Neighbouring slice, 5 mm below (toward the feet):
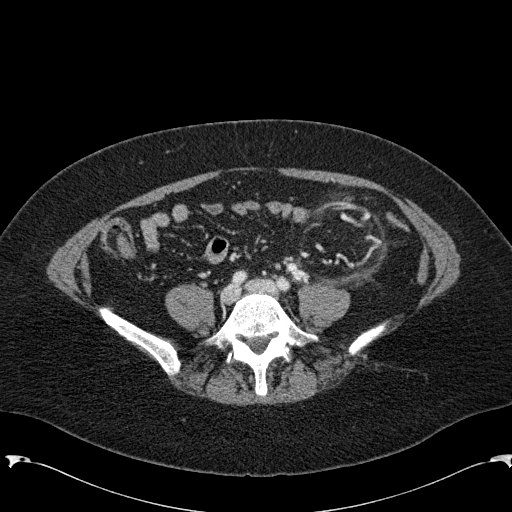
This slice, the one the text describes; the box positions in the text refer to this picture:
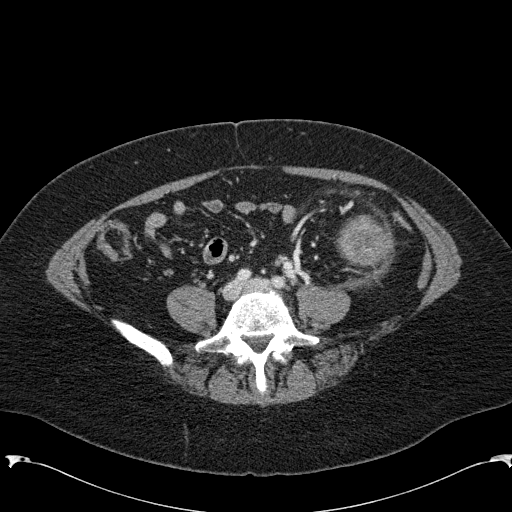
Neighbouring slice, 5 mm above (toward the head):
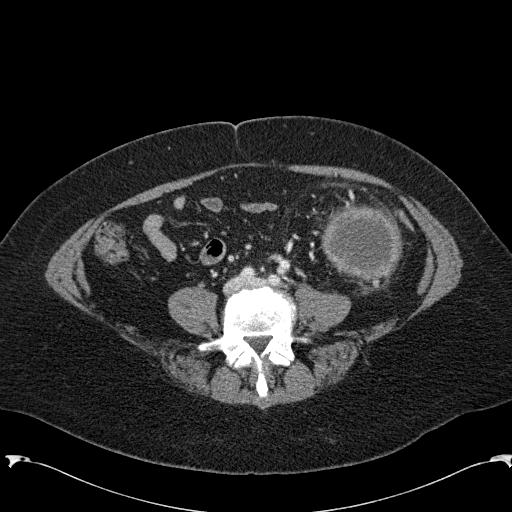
One axial slice (21 of 285, counting up from the lowest) of an arterial-phase abdominal CT acquired with 120 kVp, kernel B31f; each pixel is 0.762 mm and the slice is 2.00 mm thick.
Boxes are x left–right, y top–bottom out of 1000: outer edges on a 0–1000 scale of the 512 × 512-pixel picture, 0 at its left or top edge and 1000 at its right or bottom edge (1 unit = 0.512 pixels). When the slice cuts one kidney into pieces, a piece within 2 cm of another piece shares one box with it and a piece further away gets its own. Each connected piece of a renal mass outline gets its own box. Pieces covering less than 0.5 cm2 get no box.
Left renal mass at x 654–764, y 418–531 out of 1000 (outlined area 2,281 px, about 13.2 cm2); no kidney is outlined on this slice, but the same outlined renal mass comes within 1 cm of the kidney on another slice. This slice lies near the end of the left renal mass toward the feet; the slices 5 mm below and 5 mm above it are shown too, and the boxes mark positions on this slice only.